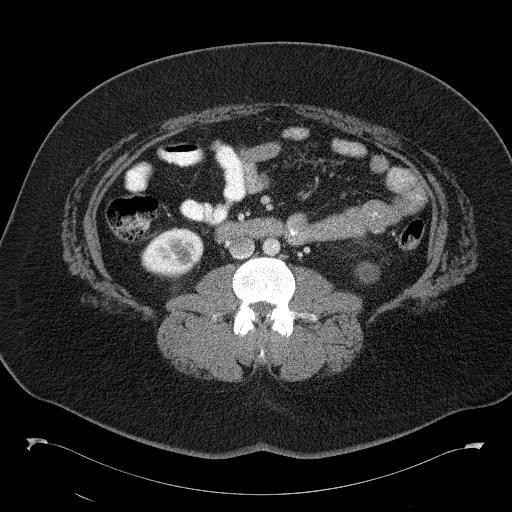
Contrast-enhanced abdominal CT, axial slice 68 of 146 (counted from the lowest slice); tube voltage 120 kVp, convolution kernel B41f; slices 5.00 mm thick, 0.840 mm per pixel.
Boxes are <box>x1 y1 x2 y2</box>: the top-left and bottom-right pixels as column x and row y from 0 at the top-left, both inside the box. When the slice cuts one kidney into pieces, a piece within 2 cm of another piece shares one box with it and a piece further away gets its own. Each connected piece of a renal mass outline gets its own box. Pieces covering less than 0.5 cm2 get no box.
Two kidney boxes on this slice; by box centre, from the image's left to its right: (1) Kidney: <box>141 228 203 278</box> (outlined area 2,383 px, about 16.8 cm2). (2) Kidney: <box>355 262 379 283</box> (outlined area 384 px, about 2.7 cm2).